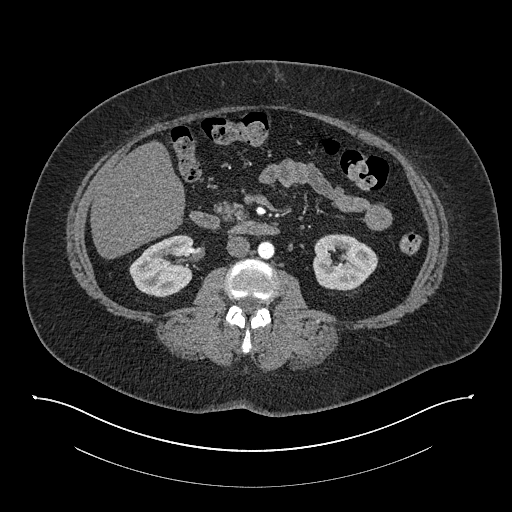
Arterial-phase contrast-enhanced abdominal CT, axial slice 419 of 673 (counted from the lowest slice); tube voltage 140 kVp, convolution kernel I30f; slices 1.00 mm thick, 0.957 mm per pixel.
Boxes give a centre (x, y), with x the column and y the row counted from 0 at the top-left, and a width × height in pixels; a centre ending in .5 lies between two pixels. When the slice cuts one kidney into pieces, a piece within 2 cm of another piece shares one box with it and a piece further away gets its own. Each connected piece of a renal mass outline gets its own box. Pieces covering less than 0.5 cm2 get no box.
Two boxes on this slice (two kidney boxes), listed by box centre from the image's left to its right. (1) Box centre (161.5, 266), 66 × 63 pixels: right kidney (outlined area 3,013 px, about 27.6 cm2). (2) Box centre (345, 262), 65 × 57 pixels: left kidney (outlined area 2,849 px, about 26.1 cm2). No renal mass outline on this slice.